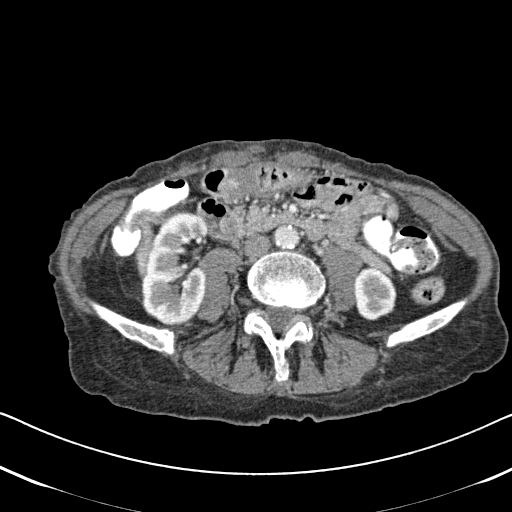
Abdominal CT with intravenous contrast, arterial phase, axial plane, 120 kVp, kernel B31f. Slice 246/620 from the bottom of the scan; thickness 2.00 mm; pixel size 0.637 mm.
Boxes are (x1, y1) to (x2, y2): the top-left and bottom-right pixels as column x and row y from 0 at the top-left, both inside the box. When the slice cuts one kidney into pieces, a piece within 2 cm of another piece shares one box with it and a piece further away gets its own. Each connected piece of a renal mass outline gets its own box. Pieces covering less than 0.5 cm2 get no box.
Two kidney boxes on this slice; by box centre, from the image's left to its right: (1) Box (140, 212) to (209, 326): right kidney (outlined area 6,030 px, about 24.4 cm2). (2) Left kidney, box (354, 266) to (396, 320) (outlined area 1,832 px, about 7.4 cm2). No renal mass is outlined on this slice.